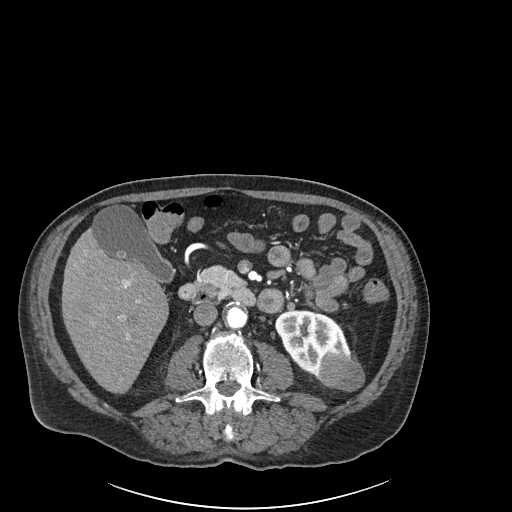
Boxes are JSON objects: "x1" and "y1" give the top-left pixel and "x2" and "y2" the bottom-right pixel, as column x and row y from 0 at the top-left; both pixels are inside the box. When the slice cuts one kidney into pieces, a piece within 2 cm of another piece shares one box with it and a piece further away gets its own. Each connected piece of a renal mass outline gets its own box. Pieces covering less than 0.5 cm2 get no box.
This is axial slice 87 of 261 (slice 1 is the lowest) of an arterial-phase abdominal CT with contrast; each pixel is 0.939 mm and the slice is 2.00 mm thick. One kidney box and one renal mass box on this slice; by box centre, from the image's left to its right: (1) Left kidney at {"x1": 275, "y1": 310, "x2": 351, "y2": 378} (outlined area 3,129 px, about 27.6 cm2). (2) Left renal mass, box {"x1": 318, "y1": 354, "x2": 364, "y2": 391} (outlined area 1,409 px, about 12.4 cm2).
Tube voltage 120 kVp; convolution kernel I30f.